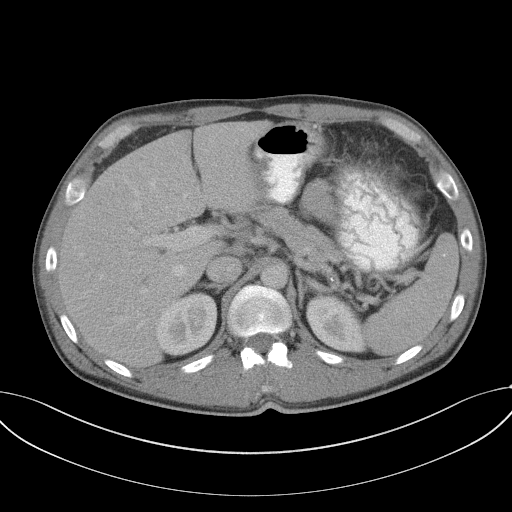
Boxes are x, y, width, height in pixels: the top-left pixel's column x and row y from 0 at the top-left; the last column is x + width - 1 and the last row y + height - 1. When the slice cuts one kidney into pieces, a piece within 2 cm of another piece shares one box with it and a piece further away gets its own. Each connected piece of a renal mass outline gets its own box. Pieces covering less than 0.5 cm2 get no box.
Slice 76/102 of a contrast-enhanced abdominal CT, counting up from the lowest; pixel size 0.807 mm, slice thickness 5.00 mm. Boxed on this slice (two kidney boxes), listed by box centre from the image's left to its right: (1) Right kidney at x 155, y 291, width 63, height 65 (outlined area 3,087 px, about 20.1 cm2). (2) Left kidney, box x 305, y 295, width 63, height 59 (outlined area 2,533 px, about 16.5 cm2). No renal mass outline on this slice.
Acquired at 120 kVp and reconstructed with the B41f kernel.